Arterial-phase contrast-enhanced abdominal CT, axial slice 408 of 738 (counted from the lowest slice); tube voltage 120 kVp, convolution kernel I30f; slices 1.00 mm thick, 0.789 mm per pixel.
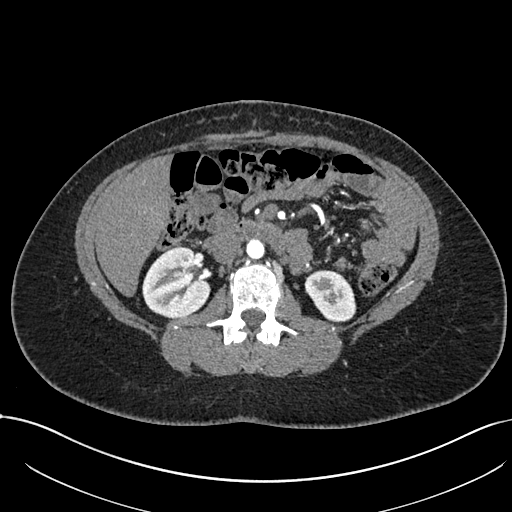
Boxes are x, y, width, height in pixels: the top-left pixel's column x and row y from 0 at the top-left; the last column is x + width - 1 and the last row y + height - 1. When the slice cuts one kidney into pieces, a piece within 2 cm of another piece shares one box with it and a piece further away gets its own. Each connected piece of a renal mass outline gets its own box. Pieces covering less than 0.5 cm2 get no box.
Two kidney boxes on this slice; by box centre, from the image's left to its right: (1) Right kidney at x 142, y 246, width 69, height 73 (outlined area 3,688 px, about 23.0 cm2). (2) Left kidney, box x 304, y 270, width 53, height 53 (outlined area 2,006 px, about 12.5 cm2). No renal mass is outlined on this slice.